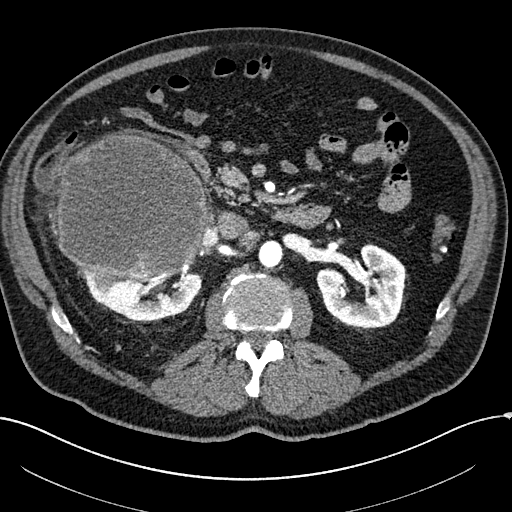
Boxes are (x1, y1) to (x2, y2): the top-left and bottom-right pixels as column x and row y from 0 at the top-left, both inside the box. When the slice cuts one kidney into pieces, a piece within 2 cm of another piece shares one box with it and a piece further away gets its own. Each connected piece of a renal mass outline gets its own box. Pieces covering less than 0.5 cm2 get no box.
This is axial slice 118 of 304 (slice 1 is the lowest) of an arterial-phase abdominal CT with contrast; each pixel is 0.809 mm and the slice is 2.00 mm thick. Two kidney boxes and one renal mass box on this slice; by box centre, from the image's left to its right: (1) Right renal mass from (56, 133) to (208, 277) (outlined area 18,061 px, about 118.1 cm2). (2) Right kidney, box (77, 265) to (201, 321) (outlined area 4,244 px, about 27.7 cm2). (3) Left kidney, box (316, 243) to (407, 332) (outlined area 5,375 px, about 35.1 cm2).
Scan settings: 100 kVp, I30f reconstruction kernel.